Axial slice 801 of 987 of a contrast-enhanced abdominal CT in the arterial phase (slice 1 is the lowest), 120 kVp, kernel I26f; 1.00 mm slice thickness and 0.977 mm pixels.
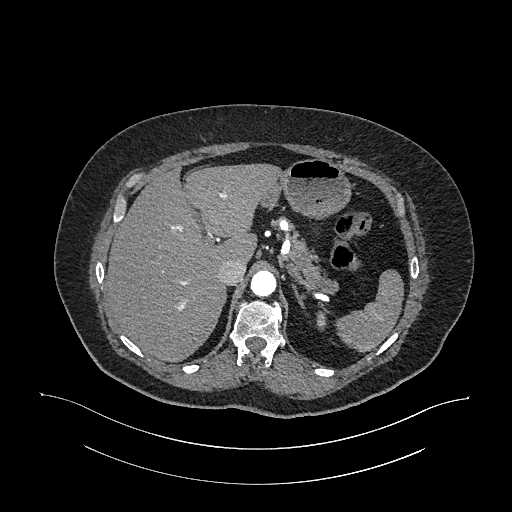
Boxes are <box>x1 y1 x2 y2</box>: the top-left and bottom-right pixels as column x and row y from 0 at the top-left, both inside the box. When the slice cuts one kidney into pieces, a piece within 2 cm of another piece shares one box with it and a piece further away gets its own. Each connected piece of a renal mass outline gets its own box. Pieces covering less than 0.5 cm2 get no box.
Left kidney at <box>316 313 326 330</box> (outlined area 145 px, about 1.4 cm2). This slice carries no renal mass outline.